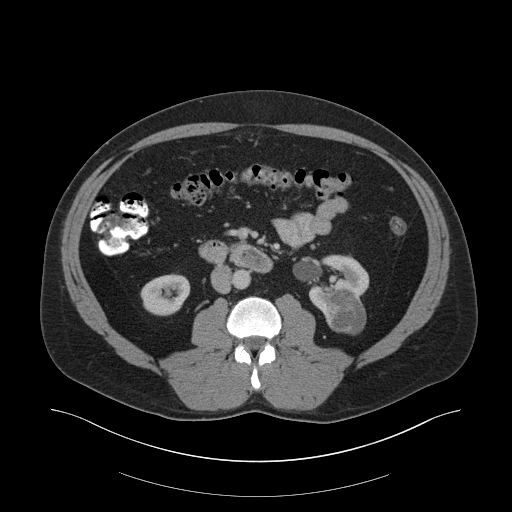
Axial slice 97 of 159 of a contrast-enhanced abdominal CT in the arterial phase (slice 1 is the lowest), 140 kVp, kernel B30f; 3.00 mm slice thickness and 0.977 mm pixels.
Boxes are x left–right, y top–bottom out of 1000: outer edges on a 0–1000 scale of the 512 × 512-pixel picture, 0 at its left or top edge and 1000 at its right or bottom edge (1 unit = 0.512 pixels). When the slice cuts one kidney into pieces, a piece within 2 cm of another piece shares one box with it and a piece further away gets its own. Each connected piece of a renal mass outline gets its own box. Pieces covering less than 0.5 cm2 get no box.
Boxed on this slice (two kidney boxes and one renal mass box), listed by box centre from the image's left to its right: (1) Box x 273–373, y 533–617 out of 1000: right kidney (outlined area 1,623 px, about 15.5 cm2). (2) Left kidney at x 602–723, y 496–613 out of 1000 (outlined area 2,063 px, about 19.7 cm2). (3) Left renal mass at x 633–715, y 572–654 out of 1000 (outlined area 1,400 px, about 13.4 cm2).